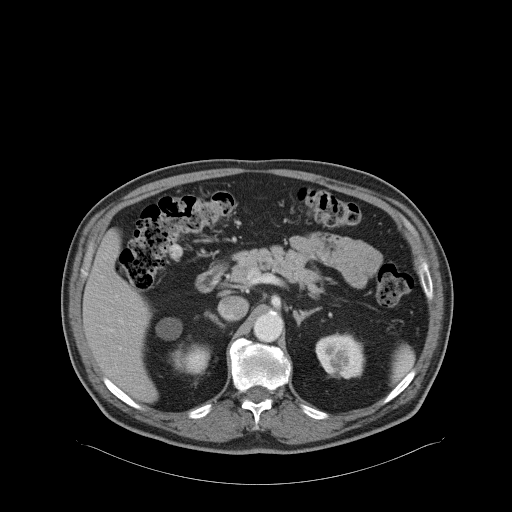
One axial slice (54 of 68, counting up from the lowest) of an arterial-phase abdominal CT acquired with 120 kVp, kernel B31f; each pixel is 0.961 mm and the slice is 5.00 mm thick.
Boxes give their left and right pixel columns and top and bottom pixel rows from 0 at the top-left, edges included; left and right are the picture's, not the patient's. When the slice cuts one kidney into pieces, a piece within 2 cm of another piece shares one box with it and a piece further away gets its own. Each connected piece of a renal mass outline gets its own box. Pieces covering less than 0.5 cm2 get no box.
Boxed on this slice (two kidney boxes), listed by box centre from the image's left to its right: (1) Box with left 156, top 318, right 208, bottom 373: right kidney (outlined area 1,177 px, about 10.9 cm2). (2) Left kidney, the box with left 315, top 332, right 365, bottom 379 (outlined area 1,857 px, about 17.1 cm2). This slice carries no renal mass outline.